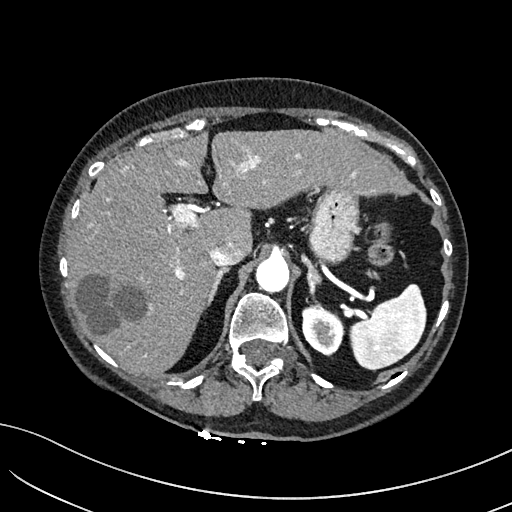
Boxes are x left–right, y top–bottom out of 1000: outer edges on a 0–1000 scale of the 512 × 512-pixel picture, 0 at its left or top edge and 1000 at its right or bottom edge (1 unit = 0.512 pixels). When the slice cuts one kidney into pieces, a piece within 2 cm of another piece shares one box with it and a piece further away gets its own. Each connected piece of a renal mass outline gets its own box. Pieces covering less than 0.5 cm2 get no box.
Slice 127/234 of a contrast-enhanced abdominal CT in the arterial phase, counting up from the lowest; pixel size 0.699 mm, slice thickness 2.00 mm. Box x 588–672, y 594–697 out of 1000: left kidney (outlined area 1,630 px, about 8.0 cm2). No renal mass outline on this slice.
Scan settings: 100 kVp, I40f reconstruction kernel.